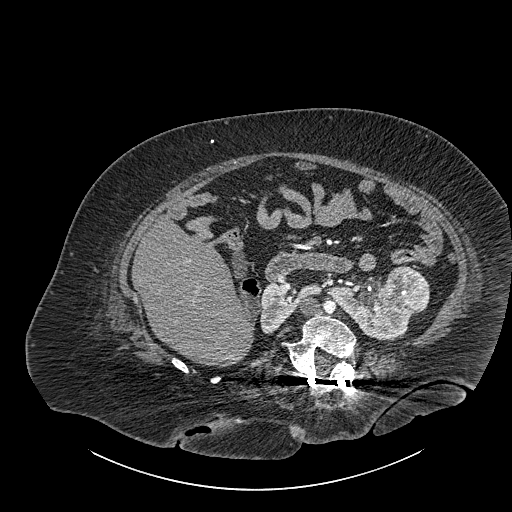
Axial slice 523 of 834 of a contrast-enhanced abdominal CT (slice 1 is the lowest), 140 kVp, kernel I30f; 1.00 mm slice thickness and 0.977 mm pixels.
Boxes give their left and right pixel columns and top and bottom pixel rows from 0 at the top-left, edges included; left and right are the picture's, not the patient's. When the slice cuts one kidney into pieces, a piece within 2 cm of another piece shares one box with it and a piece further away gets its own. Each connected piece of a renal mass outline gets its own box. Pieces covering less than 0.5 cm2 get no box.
Three boxes on this slice (two kidney boxes and one renal mass box), listed by box centre from the image's left to its right. (1) Box with left 260, top 282, right 324, bottom 334: right part of the midline-crossing kidney (outlined area 1,541 px, about 14.7 cm2). (2) Box with left 329, top 285, right 411, bottom 340: left part of the midline-crossing kidney (outlined area 2,705 px, about 25.8 cm2). (3) Renal mass, the box with left 384, top 266, right 429, bottom 313 (outlined area 1,756 px, about 16.7 cm2).